Abdominal CT with intravenous contrast, arterial phase, axial plane, 120 kVp, kernel I30f. Slice 350/683 from the bottom of the scan; thickness 1.00 mm; pixel size 0.738 mm.
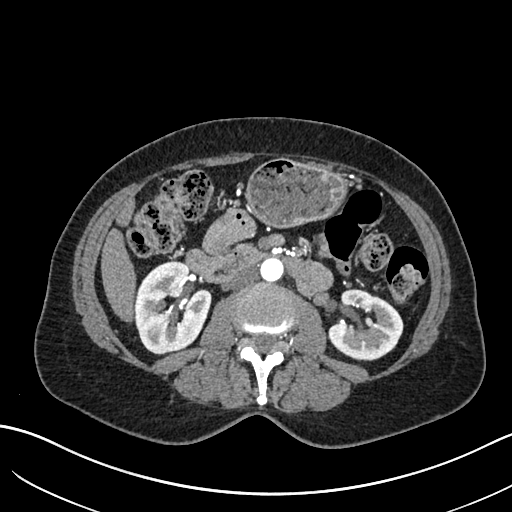
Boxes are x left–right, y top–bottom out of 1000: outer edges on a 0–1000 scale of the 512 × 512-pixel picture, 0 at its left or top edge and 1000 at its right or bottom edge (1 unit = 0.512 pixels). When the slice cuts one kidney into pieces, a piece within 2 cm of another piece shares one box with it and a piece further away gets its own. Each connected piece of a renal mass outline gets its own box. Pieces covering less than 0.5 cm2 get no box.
Two kidney boxes on this slice; by box centre, from the image's left to its right: (1) Box x 262–414, y 510–693 out of 1000: right kidney (outlined area 5,446 px, about 29.7 cm2). (2) Left kidney, box x 643–789, y 564–705 out of 1000 (outlined area 3,765 px, about 20.5 cm2). This slice carries no renal mass outline.